Axial slice 68 of 88 of a contrast-enhanced abdominal CT (slice 1 is the lowest), 120 kVp, kernel B; 5.00 mm slice thickness and 0.865 mm pixels.
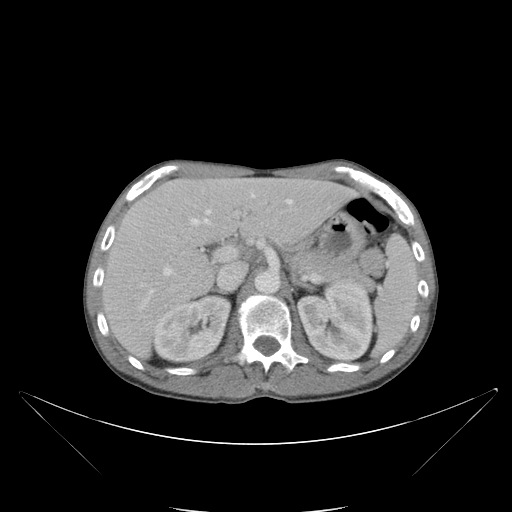
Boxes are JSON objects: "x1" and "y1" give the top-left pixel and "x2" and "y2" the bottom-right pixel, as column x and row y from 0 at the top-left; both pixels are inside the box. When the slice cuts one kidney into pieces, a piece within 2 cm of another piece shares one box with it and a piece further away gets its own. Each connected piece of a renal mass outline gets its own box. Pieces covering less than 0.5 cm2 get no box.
Two boxes on this slice (two kidney boxes), listed by box centre from the image's left to its right. (1) Right kidney, box {"x1": 153, "y1": 294, "x2": 231, "y2": 365} (outlined area 3,986 px, about 29.8 cm2). (2) Left kidney, box {"x1": 296, "y1": 279, "x2": 372, "y2": 361} (outlined area 4,911 px, about 36.8 cm2). This slice carries no renal mass outline.